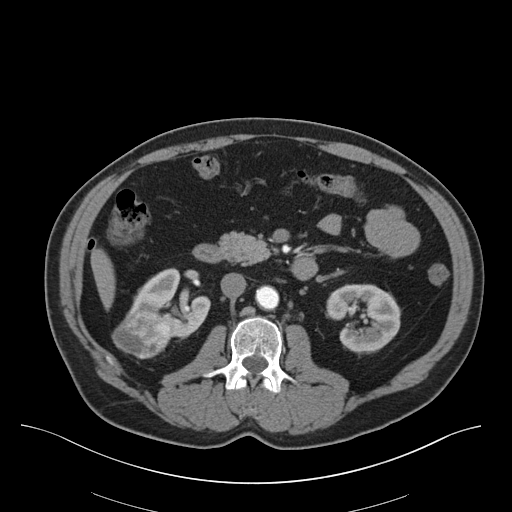
Axial slice 29 of 75 of a contrast-enhanced abdominal CT (slice 1 is the lowest), 140 kVp, kernel B30f; 3.00 mm slice thickness and 0.875 mm pixels.
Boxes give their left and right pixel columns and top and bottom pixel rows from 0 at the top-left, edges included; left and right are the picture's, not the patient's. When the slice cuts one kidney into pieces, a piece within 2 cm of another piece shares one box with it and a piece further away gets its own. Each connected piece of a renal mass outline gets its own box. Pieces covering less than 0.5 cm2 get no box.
Boxed on this slice (two kidney boxes and one renal mass box), listed by box centre from the image's left to its right: (1) Right renal mass in the box with left 112, top 311, right 171, bottom 359 (outlined area 2,139 px, about 16.4 cm2). (2) Right kidney in the box with left 130, top 268, right 210, bottom 339 (outlined area 2,978 px, about 22.8 cm2). (3) Box with left 326, top 284, right 400, bottom 354: left kidney (outlined area 3,761 px, about 28.8 cm2).